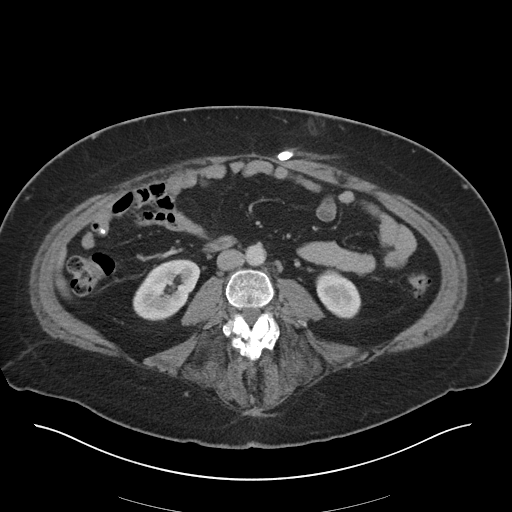
One axial slice (7 of 36, counting up from the lowest) of an arterial-phase abdominal CT acquired with 140 kVp, kernel I30f; each pixel is 0.906 mm and the slice is 5.00 mm thick.
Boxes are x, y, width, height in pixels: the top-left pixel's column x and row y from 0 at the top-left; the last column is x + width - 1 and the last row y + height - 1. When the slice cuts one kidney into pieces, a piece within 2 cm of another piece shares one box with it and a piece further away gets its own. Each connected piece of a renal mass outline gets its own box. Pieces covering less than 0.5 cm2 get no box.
Two boxes on this slice (two kidney boxes), listed by box centre from the image's left to its right. (1) Right kidney at x 132, y 259, width 69, height 62 (outlined area 2,929 px, about 24.1 cm2). (2) Left kidney, box x 315, y 269, width 47, height 50 (outlined area 1,629 px, about 13.4 cm2). This slice carries no renal mass outline.